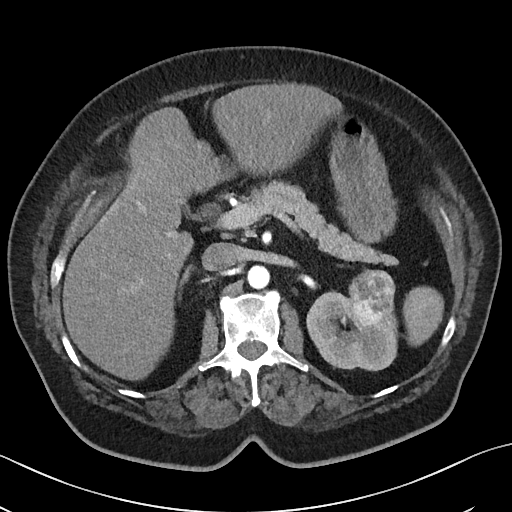
Axial slice 28 of 50 of a contrast-enhanced abdominal CT (slice 1 is the lowest), 100 kVp, kernel I40f; 5.00 mm slice thickness and 0.723 mm pixels.
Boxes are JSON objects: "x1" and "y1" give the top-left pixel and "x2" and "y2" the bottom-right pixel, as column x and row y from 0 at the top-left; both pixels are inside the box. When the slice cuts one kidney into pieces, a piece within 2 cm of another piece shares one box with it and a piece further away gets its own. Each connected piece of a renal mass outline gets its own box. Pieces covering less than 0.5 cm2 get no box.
Two boxes on this slice (one kidney box and one renal mass box), listed by box centre from the image's left to its right. (1) Left kidney at {"x1": 306, "y1": 290, "x2": 398, "y2": 371} (outlined area 4,923 px, about 25.7 cm2). (2) Box {"x1": 347, "y1": 270, "x2": 395, "y2": 328}: left renal mass (outlined area 2,085 px, about 10.9 cm2).